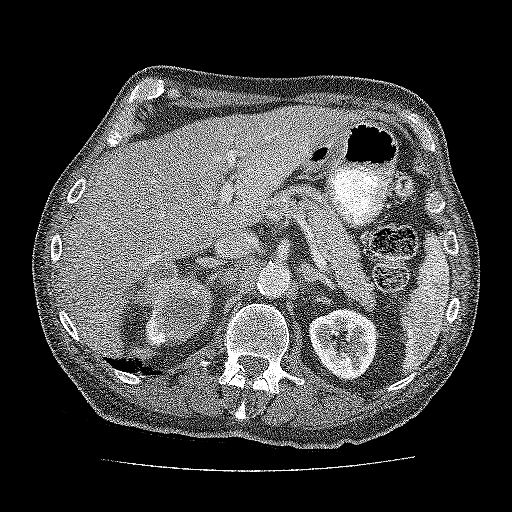
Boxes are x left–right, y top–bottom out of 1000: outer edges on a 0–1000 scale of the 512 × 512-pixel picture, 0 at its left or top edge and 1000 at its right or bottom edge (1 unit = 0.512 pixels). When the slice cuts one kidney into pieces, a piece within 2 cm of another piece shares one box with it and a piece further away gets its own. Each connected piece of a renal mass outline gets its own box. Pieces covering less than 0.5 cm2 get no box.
This is axial slice 110 of 137 (slice 1 is the lowest) of an abdominal CT with contrast; each pixel is 0.741 mm and the slice is 3.00 mm thick. Three boxes on this slice (two kidney boxes and one renal mass box), listed by box centre from the image's left to its right. (1) Box x 283–334, y 600–676 out of 1000: kidney (outlined area 379 px, about 2.1 cm2). (2) Box x 252–416, y 508–670 out of 1000: renal mass (outlined area 4,283 px, about 23.5 cm2). (3) Box x 602–742, y 602–744 out of 1000: kidney (outlined area 3,815 px, about 20.9 cm2).
Tube voltage 120 kVp; convolution kernel FC52.